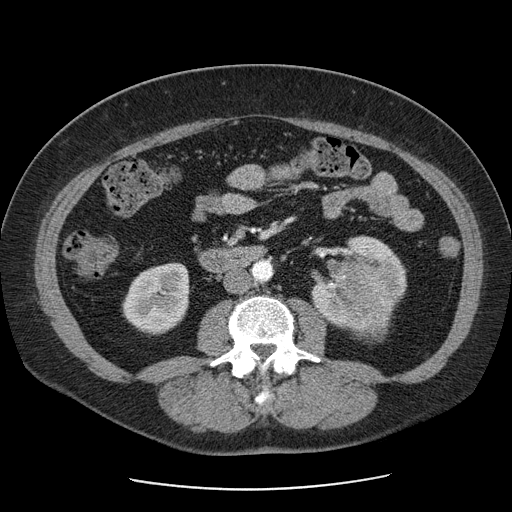
Abdominal CT with intravenous contrast, axial plane, 120 kVp, kernel STANDARD. Slice 30/103 from the bottom of the scan; thickness 2.50 mm; pixel size 0.736 mm.
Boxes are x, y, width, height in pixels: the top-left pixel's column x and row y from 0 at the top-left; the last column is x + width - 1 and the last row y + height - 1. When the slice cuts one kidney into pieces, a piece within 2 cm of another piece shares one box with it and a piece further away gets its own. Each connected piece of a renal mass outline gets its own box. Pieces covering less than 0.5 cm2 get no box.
Boxed on this slice (two kidney boxes and one renal mass box), listed by box centre from the image's left to its right: (1) Right kidney, box x 122, y 262, width 68, height 75 (outlined area 3,808 px, about 20.6 cm2). (2) Left kidney at x 311, y 236, width 96, height 93 (outlined area 3,111 px, about 16.9 cm2). (3) Left renal mass at x 329, y 260, width 67, height 84 (outlined area 3,753 px, about 20.3 cm2).